One axial slice (31 of 70, counting up from the lowest) of an arterial-phase abdominal CT acquired with 120 kVp, kernel B30f; each pixel is 0.977 mm and the slice is 5.00 mm thick.
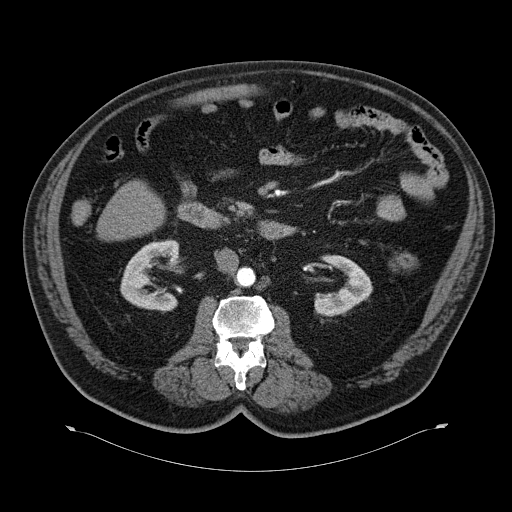
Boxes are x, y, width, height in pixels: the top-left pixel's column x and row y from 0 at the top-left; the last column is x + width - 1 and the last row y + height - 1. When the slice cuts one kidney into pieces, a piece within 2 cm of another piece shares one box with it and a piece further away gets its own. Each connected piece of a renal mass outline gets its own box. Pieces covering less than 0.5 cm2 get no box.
Boxed on this slice (two kidney boxes), listed by box centre from the image's left to its right: (1) Right kidney, box x 120, y 239, width 58, height 72 (outlined area 2,753 px, about 26.3 cm2). (2) Left kidney at x 314, y 254, width 59, height 62 (outlined area 2,198 px, about 21.0 cm2). No renal mass is outlined on this slice.